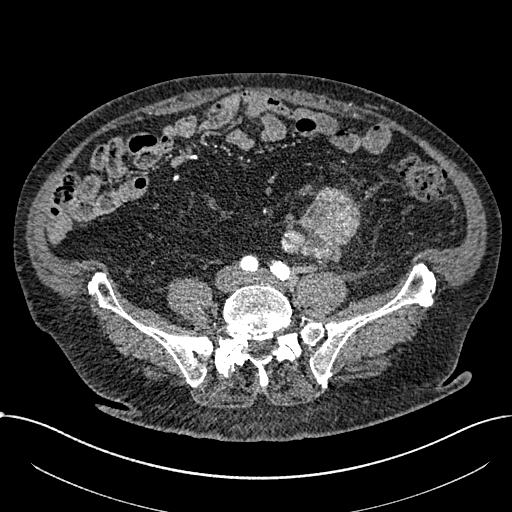
Arterial-phase contrast-enhanced abdominal CT, axial slice 180 of 1059 (counted from the lowest slice); tube voltage 100 kVp, convolution kernel I30f; slices 1.00 mm thick, 0.811 mm per pixel.
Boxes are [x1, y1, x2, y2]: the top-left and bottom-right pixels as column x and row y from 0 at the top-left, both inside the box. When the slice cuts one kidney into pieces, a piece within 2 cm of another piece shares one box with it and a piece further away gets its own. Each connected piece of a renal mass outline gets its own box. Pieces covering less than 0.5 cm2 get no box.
Renal mass, box [281, 187, 360, 262] (outlined area 4,022 px, about 26.4 cm2); this slice has no kidney outline, though on another slice the same outlined renal mass lies within 1 cm of the kidney.